Abdominal CT with intravenous contrast, arterial phase, axial plane, 120 kVp, kernel I26f. Slice 285/548 from the bottom of the scan; thickness 1.00 mm; pixel size 0.852 mm.
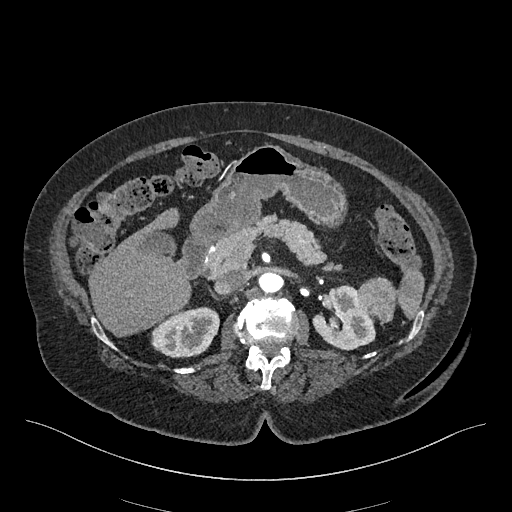
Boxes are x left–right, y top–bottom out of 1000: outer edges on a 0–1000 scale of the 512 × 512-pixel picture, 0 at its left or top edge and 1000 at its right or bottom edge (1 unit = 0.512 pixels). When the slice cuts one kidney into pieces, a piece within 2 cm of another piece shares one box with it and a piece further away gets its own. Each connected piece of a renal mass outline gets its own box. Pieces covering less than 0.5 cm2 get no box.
Two kidney boxes and one renal mass box on this slice; by box centre, from the image's left to its right: (1) Right kidney, box x 295–430, y 598–699 out of 1000 (outlined area 2,664 px, about 19.3 cm2). (2) Left kidney, box x 609–734, y 559–686 out of 1000 (outlined area 2,804 px, about 20.3 cm2). (3) Box x 699–773, y 541–631 out of 1000: left renal mass (outlined area 1,328 px, about 9.6 cm2).